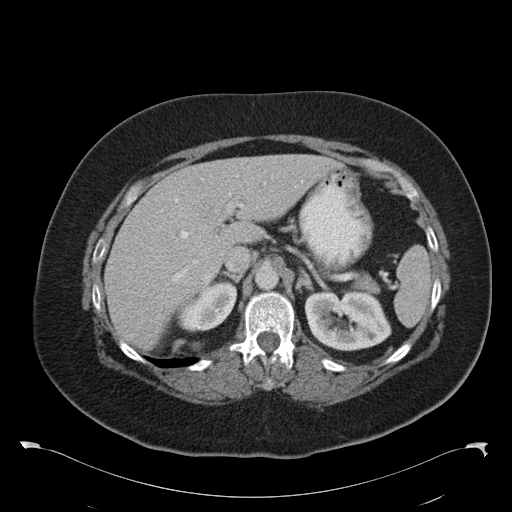
Abdominal CT with intravenous contrast, arterial phase, axial plane, 120 kVp, kernel B30f. Slice 72/97 from the bottom of the scan; thickness 5.00 mm; pixel size 0.824 mm.
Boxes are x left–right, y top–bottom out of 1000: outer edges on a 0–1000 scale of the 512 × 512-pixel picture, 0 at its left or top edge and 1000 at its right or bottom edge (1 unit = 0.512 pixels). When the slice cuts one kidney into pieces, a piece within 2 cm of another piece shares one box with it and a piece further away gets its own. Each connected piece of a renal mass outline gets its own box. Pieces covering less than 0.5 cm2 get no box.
Two boxes on this slice (two kidney boxes), listed by box centre from the image's left to its right. (1) Right kidney, box x 346–465, y 549–650 out of 1000 (outlined area 2,004 px, about 13.6 cm2). (2) Left kidney at x 594–766, y 568–688 out of 1000 (outlined area 4,138 px, about 28.1 cm2). No renal mass is outlined on this slice.